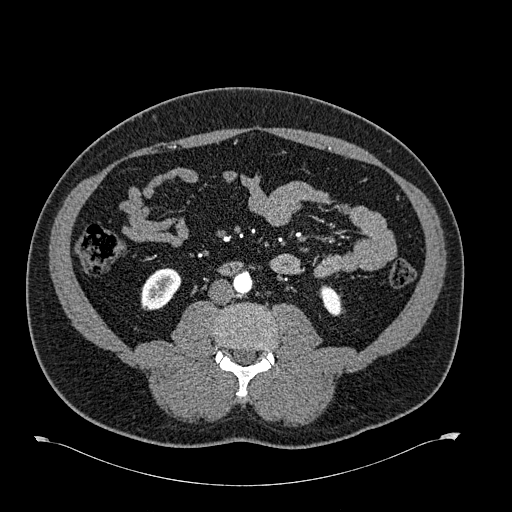
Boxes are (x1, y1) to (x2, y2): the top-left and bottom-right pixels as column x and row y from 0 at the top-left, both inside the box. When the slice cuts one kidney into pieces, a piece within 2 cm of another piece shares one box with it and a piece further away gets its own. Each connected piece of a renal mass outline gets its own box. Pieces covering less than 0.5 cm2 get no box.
This is axial slice 270 of 723 (slice 1 is the lowest) of an arterial-phase abdominal CT with contrast; each pixel is 0.895 mm and the slice is 1.00 mm thick. Two boxes on this slice (two kidney boxes), listed by box centre from the image's left to its right. (1) Right kidney from (141, 268) to (181, 310) (outlined area 1,261 px, about 10.1 cm2). (2) Left kidney from (319, 285) to (342, 315) (outlined area 502 px, about 4.0 cm2). No renal mass is outlined on this slice.
Acquired at 120 kVp and reconstructed with the B30f kernel.